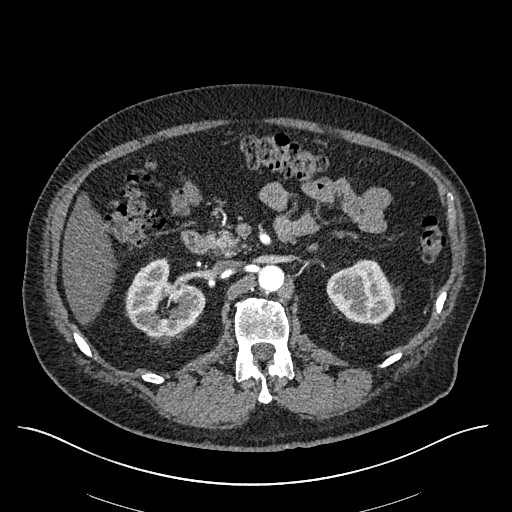
One axial slice (364 of 670, counting up from the lowest) of an arterial-phase abdominal CT acquired with 120 kVp, kernel I30f; each pixel is 0.861 mm and the slice is 1.00 mm thick.
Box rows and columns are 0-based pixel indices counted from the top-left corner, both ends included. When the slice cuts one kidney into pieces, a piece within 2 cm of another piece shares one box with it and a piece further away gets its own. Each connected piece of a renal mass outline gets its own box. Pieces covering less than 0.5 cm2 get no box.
Boxed on this slice (two kidney boxes), listed by box centre from the image's left to its right: (1) Right kidney, box rows 257–338, columns 125–205 (outlined area 4,378 px, about 32.5 cm2). (2) Left kidney at rows 259–324, columns 326–401 (outlined area 3,396 px, about 25.2 cm2). This slice carries no renal mass outline.